Axial slice 277 of 723 of a contrast-enhanced abdominal CT in the arterial phase (slice 1 is the lowest), 120 kVp, kernel B30f; 1.00 mm slice thickness and 0.895 mm pixels.
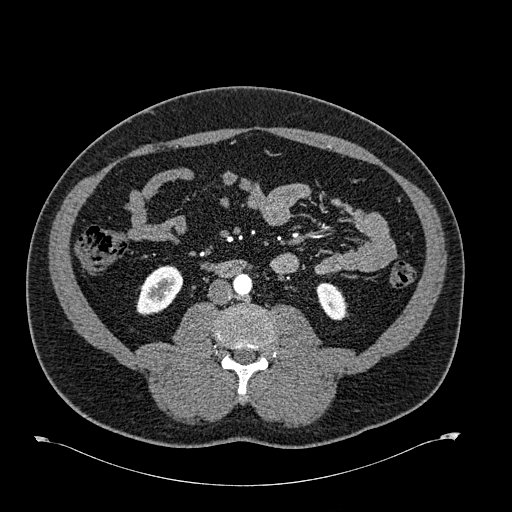
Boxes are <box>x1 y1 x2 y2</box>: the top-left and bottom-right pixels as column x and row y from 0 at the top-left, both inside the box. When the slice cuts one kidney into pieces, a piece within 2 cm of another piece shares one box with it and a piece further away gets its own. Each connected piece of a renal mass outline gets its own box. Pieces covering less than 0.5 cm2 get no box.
Two kidney boxes on this slice; by box centre, from the image's left to its right: (1) At <box>136 265 183 315</box>: right kidney (outlined area 1,637 px, about 13.1 cm2). (2) Left kidney: <box>316 282 347 320</box> (outlined area 861 px, about 6.9 cm2). No renal mass outline on this slice.